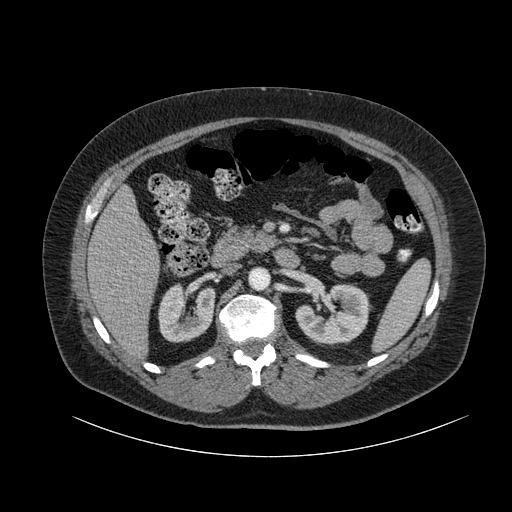
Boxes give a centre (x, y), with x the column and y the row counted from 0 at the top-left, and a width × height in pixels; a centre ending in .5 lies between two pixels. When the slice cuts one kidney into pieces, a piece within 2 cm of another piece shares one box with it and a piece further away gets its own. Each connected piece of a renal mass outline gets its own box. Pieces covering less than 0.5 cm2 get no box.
Slice 53/105 of a contrast-enhanced abdominal CT, counting up from the lowest; pixel size 0.977 mm, slice thickness 3.00 mm. Two kidney boxes on this slice; by box centre, from the image's left to its right: (1) Right kidney in a box with centre (186.5, 312.5), 58 × 60 pixels (outlined area 2,713 px, about 25.9 cm2). (2) Box centre (332, 314.5), 75 × 62 pixels: left kidney (outlined area 3,311 px, about 31.6 cm2). No renal mass outline on this slice.
Scan settings: 120 kVp, B reconstruction kernel.